Abdominal CT with intravenous contrast, arterial phase, axial plane, 120 kVp, kernel B20f. Slice 447/634 from the bottom of the scan; thickness 1.00 mm; pixel size 0.838 mm.
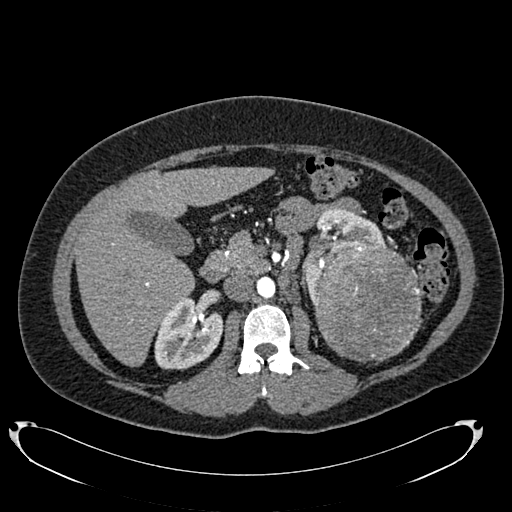
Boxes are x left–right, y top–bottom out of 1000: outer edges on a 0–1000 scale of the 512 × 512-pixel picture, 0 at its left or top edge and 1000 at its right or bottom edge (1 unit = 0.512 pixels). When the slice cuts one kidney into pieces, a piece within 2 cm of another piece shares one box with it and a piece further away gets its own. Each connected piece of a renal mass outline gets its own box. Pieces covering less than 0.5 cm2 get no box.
Boxed on this slice (two kidney boxes and one renal mass box), listed by box centre from the image's left to its right: (1) Right kidney at x 301–439, y 578–725 out of 1000 (outlined area 3,731 px, about 26.2 cm2). (2) Left kidney at x 592–754, y 406–592 out of 1000 (outlined area 2,642 px, about 18.5 cm2). (3) Box x 609–826, y 471–709 out of 1000: left renal mass (outlined area 10,784 px, about 75.7 cm2).